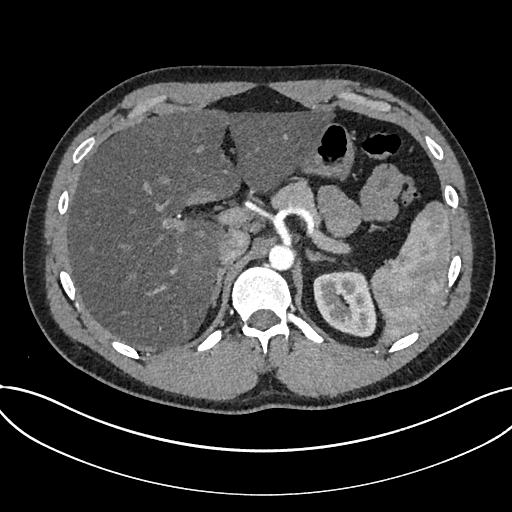
Axial slice 545 of 735 of a contrast-enhanced abdominal CT in the arterial phase (slice 1 is the lowest), 120 kVp, kernel I30f; 1.00 mm slice thickness and 0.789 mm pixels.
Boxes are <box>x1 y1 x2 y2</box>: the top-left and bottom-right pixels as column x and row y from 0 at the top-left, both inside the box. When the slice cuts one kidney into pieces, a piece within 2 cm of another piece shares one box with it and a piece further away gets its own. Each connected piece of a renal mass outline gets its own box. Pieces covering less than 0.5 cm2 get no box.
Kidney at <box>313 270 376 336</box> (outlined area 3,284 px, about 20.4 cm2). No renal mass is outlined on this slice.